One axial slice (155 of 261, counting up from the lowest) of an arterial-phase abdominal CT acquired with 120 kVp, kernel I30f; each pixel is 0.939 mm and the slice is 2.00 mm thick.
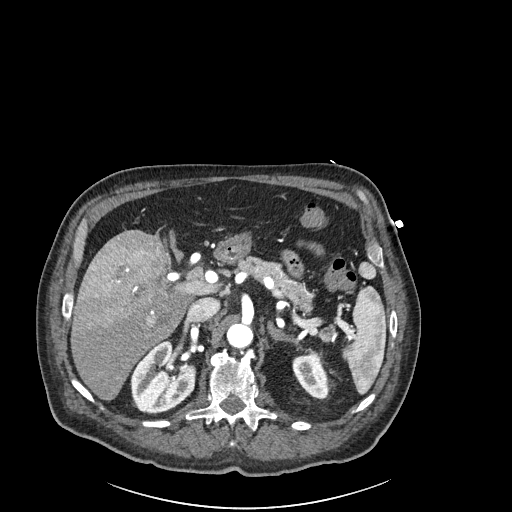
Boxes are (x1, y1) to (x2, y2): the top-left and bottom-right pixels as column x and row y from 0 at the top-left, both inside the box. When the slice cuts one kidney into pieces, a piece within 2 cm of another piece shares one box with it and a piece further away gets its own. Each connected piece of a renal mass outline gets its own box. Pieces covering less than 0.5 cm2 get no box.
Boxed on this slice (two kidney boxes), listed by box centre from the image's left to its right: (1) Box (130, 339) to (196, 414): right kidney (outlined area 3,606 px, about 31.8 cm2). (2) Left kidney from (292, 353) to (328, 398) (outlined area 1,176 px, about 10.4 cm2). No renal mass is outlined on this slice.